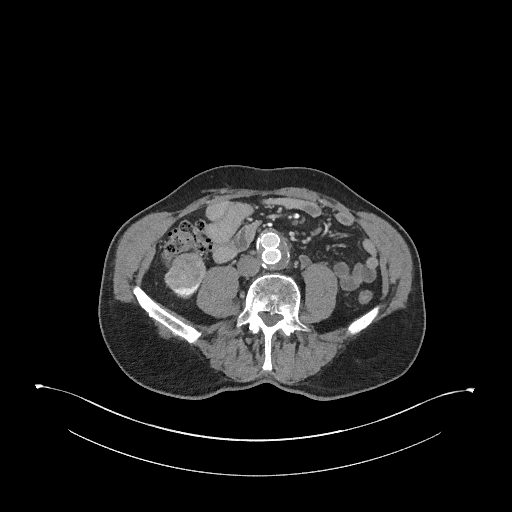
Abdominal CT with intravenous contrast, arterial phase, axial plane, 120 kVp, kernel I31f. Slice 119/345 from the bottom of the scan; thickness 2.00 mm; pixel size 0.977 mm.
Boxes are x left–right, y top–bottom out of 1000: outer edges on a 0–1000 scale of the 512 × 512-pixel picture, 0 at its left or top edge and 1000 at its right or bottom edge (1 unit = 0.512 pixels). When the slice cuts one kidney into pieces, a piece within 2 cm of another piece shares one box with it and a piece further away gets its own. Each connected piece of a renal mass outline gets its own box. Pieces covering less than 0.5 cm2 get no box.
One kidney box and one renal mass box on this slice; by box centre, from the image's left to its right: (1) Right kidney at x 324–393, y 549–584 out of 1000 (outlined area 261 px, about 2.5 cm2). (2) Box x 320–404, y 490–564 out of 1000: right renal mass (outlined area 1,207 px, about 11.5 cm2).